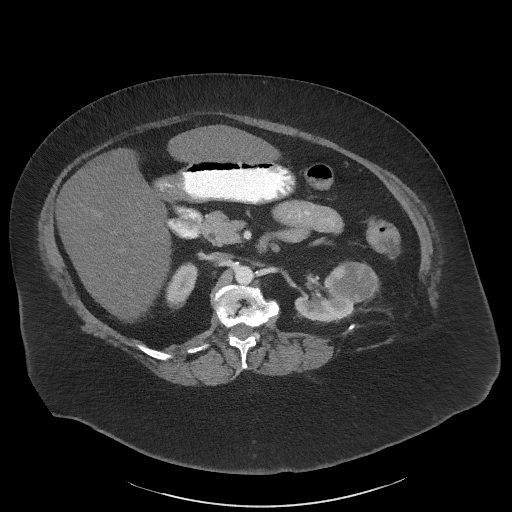
One axial slice (38 of 61, counting up from the lowest) of an arterial-phase abdominal CT acquired with 140 kVp, kernel I41f; each pixel is 0.947 mm and the slice is 3.00 mm thick.
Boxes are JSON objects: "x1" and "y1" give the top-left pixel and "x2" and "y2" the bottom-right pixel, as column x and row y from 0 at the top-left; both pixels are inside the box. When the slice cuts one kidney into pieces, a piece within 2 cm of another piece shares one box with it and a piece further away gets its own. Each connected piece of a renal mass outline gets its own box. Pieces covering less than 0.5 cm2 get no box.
Two kidney boxes and one renal mass box on this slice; by box centre, from the image's left to its right: (1) Right kidney, box {"x1": 165, "y1": 262, "x2": 198, "y2": 308} (outlined area 1,049 px, about 9.4 cm2). (2) Left kidney, box {"x1": 294, "y1": 279, "x2": 354, "y2": 323} (outlined area 1,615 px, about 14.5 cm2). (3) Left renal mass, box {"x1": 326, "y1": 261, "x2": 378, "y2": 303} (outlined area 1,666 px, about 14.9 cm2).